Axial slice 31 of 113 of a contrast-enhanced abdominal CT (slice 1 is the lowest), 120 kVp, kernel B31f; 2.00 mm slice thickness and 0.742 mm pixels.
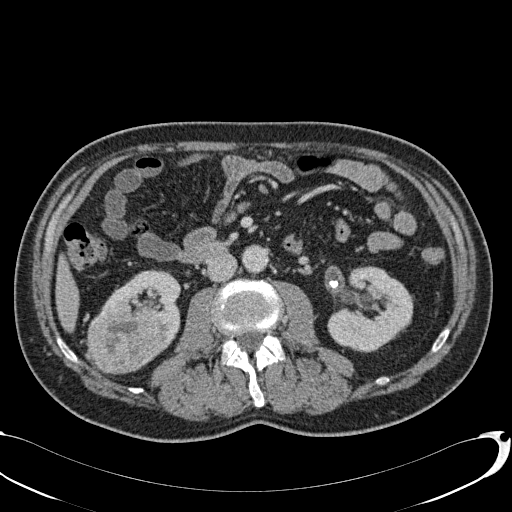
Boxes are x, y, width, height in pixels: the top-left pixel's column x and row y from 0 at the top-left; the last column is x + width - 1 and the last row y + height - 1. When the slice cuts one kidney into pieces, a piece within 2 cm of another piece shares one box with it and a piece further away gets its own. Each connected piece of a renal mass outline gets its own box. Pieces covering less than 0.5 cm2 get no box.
Two kidney boxes and one renal mass box on this slice; by box centre, from the image's left to its right: (1) Right renal mass at x 87, y 310, width 80, height 65 (outlined area 4,199 px, about 23.1 cm2). (2) Right kidney, box x 99, y 269, width 83, height 83 (outlined area 2,953 px, about 16.3 cm2). (3) Left kidney, box x 327, y 266, width 87, height 87 (outlined area 5,307 px, about 29.2 cm2).